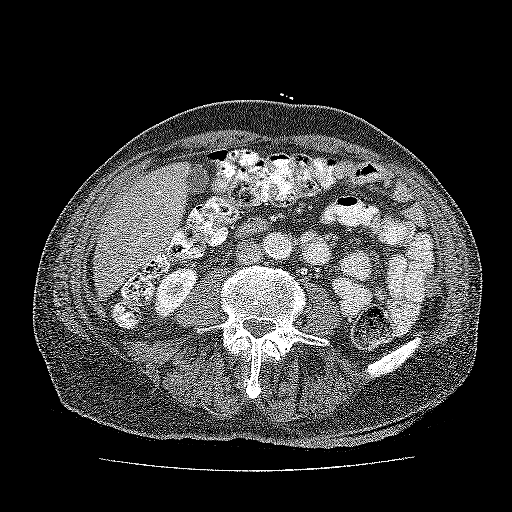
Contrast-enhanced abdominal CT, axial slice 77 of 137 (counted from the lowest slice); tube voltage 120 kVp, convolution kernel FC52; slices 3.00 mm thick, 0.741 mm per pixel.
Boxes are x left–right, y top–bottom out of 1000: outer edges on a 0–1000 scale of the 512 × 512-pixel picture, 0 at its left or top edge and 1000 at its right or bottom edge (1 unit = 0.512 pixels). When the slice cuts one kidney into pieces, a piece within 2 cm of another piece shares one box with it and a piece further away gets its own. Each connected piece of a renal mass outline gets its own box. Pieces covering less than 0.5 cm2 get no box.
Kidney at x 299–389, y 521–625 out of 1000 (outlined area 1,425 px, about 7.8 cm2). This slice carries no renal mass outline.